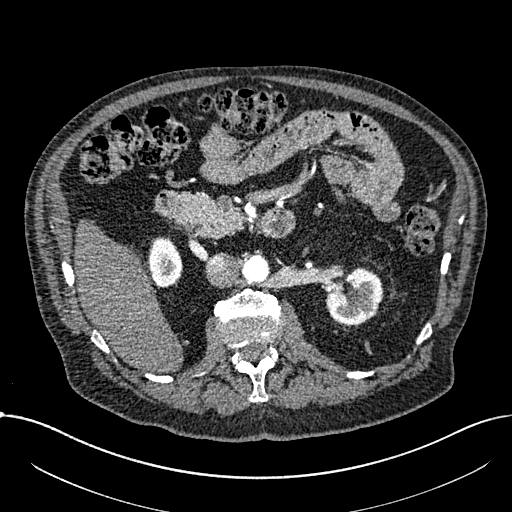
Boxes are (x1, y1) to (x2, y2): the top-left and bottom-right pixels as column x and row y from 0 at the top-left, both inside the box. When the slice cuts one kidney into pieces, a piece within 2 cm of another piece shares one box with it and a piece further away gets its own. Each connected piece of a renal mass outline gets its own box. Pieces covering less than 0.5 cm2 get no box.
This is axial slice 418 of 1059 (slice 1 is the lowest) of an arterial-phase abdominal CT with contrast; each pixel is 0.811 mm and the slice is 1.00 mm thick. Two kidney boxes on this slice; by box centre, from the image's left to its right: (1) Box (148, 236) to (182, 288): right part of the midline-crossing kidney (outlined area 1,412 px, about 9.3 cm2). (2) Left part of the midline-crossing kidney, box (325, 267) to (383, 325) (outlined area 2,441 px, about 16.0 cm2). No renal mass outline on this slice.
Tube voltage 100 kVp; convolution kernel I30f.